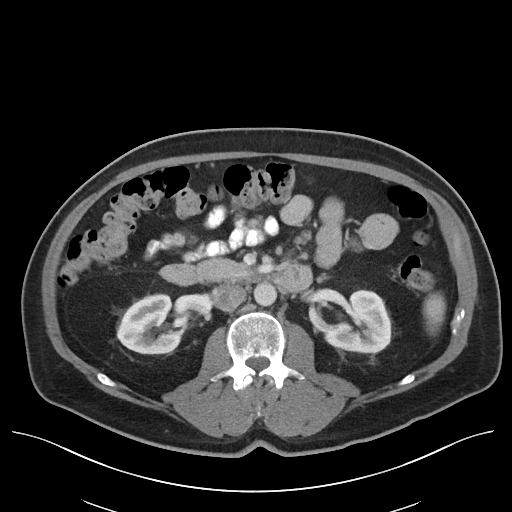
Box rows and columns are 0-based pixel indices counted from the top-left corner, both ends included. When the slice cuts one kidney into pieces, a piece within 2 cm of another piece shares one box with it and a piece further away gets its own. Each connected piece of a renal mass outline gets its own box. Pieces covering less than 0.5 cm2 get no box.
Arterial-phase contrast-enhanced abdominal CT, axial slice 65 of 96 (counted from the lowest slice); 5.00 mm thick, 0.840 mm per pixel. Two boxes on this slice (two kidney boxes), listed by box centre from the image's left to its right. (1) Right kidney, box rows 294–354, columns 117–184 (outlined area 3,088 px, about 21.8 cm2). (2) Left kidney at rows 290–353, columns 324–391 (outlined area 3,004 px, about 21.2 cm2). No renal mass is outlined on this slice.
Scan settings: 120 kVp, I40f reconstruction kernel.